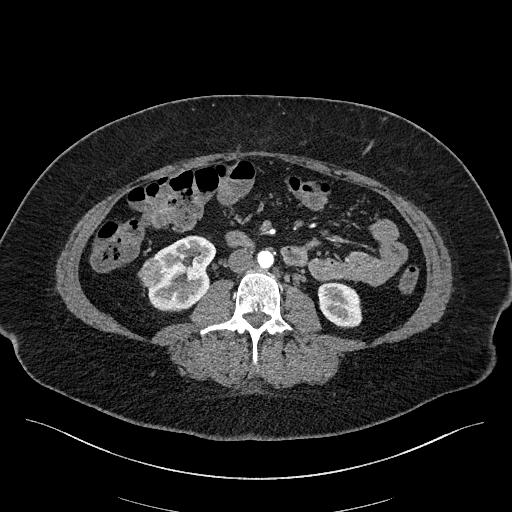
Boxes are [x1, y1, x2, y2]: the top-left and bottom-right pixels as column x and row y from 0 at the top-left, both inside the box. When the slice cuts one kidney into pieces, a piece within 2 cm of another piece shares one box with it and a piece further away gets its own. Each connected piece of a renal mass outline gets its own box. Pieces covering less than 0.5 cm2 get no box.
Slice 72/270 of a contrast-enhanced abdominal CT in the arterial phase, counting up from the lowest; pixel size 0.855 mm, slice thickness 2.00 mm. Three boxes on this slice (two kidney boxes and one renal mass box), listed by box centre from the image's left to its right. (1) Right renal mass at [138, 257, 164, 287] (outlined area 593 px, about 4.3 cm2). (2) Right kidney at [148, 235, 216, 311] (outlined area 3,556 px, about 26.0 cm2). (3) Left kidney, box [317, 282, 362, 328] (outlined area 1,636 px, about 12.0 cm2).
Acquired at 100 kVp and reconstructed with the I40f kernel.